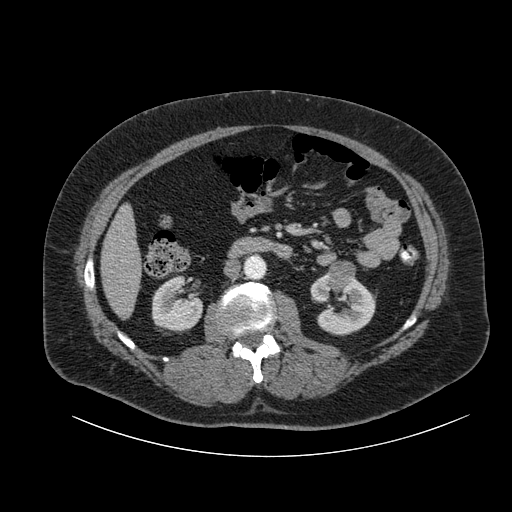
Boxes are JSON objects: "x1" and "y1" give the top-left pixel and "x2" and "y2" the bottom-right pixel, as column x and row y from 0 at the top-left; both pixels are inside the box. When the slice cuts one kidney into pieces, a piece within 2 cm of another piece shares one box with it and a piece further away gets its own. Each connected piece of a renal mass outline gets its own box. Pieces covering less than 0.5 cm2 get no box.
Contrast-enhanced abdominal CT, axial slice 42 of 105 (counted from the lowest slice); 3.00 mm thick, 0.977 mm per pixel. Three boxes on this slice (two kidney boxes and one renal mass box), listed by box centre from the image's left to its right. (1) Right kidney at {"x1": 151, "y1": 275, "x2": 203, "y2": 333} (outlined area 2,237 px, about 21.3 cm2). (2) Box {"x1": 328, "y1": 260, "x2": 355, "y2": 292}: left renal mass (outlined area 696 px, about 6.6 cm2). (3) Left kidney at {"x1": 310, "y1": 272, "x2": 375, "y2": 335} (outlined area 2,614 px, about 24.9 cm2).
Acquired at 120 kVp and reconstructed with the B kernel.